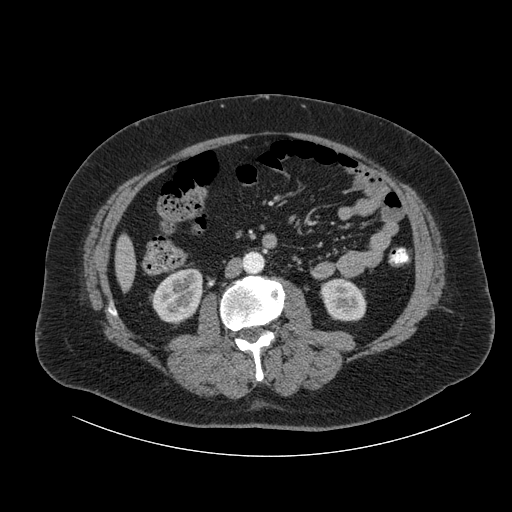
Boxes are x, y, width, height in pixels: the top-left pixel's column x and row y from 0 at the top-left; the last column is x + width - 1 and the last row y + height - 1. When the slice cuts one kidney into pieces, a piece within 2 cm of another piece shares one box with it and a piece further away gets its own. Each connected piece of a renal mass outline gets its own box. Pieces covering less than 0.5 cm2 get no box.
This is axial slice 34 of 105 (slice 1 is the lowest) of an abdominal CT with contrast; each pixel is 0.977 mm and the slice is 3.00 mm thick. Boxed on this slice (two kidney boxes), listed by box centre from the image's left to its right: (1) Box x 152, y 268, width 52, height 58: right kidney (outlined area 2,187 px, about 20.9 cm2). (2) Left kidney, box x 319, y 277, width 48, height 45 (outlined area 1,611 px, about 15.4 cm2). This slice carries no renal mass outline.
Tube voltage 120 kVp; convolution kernel B.